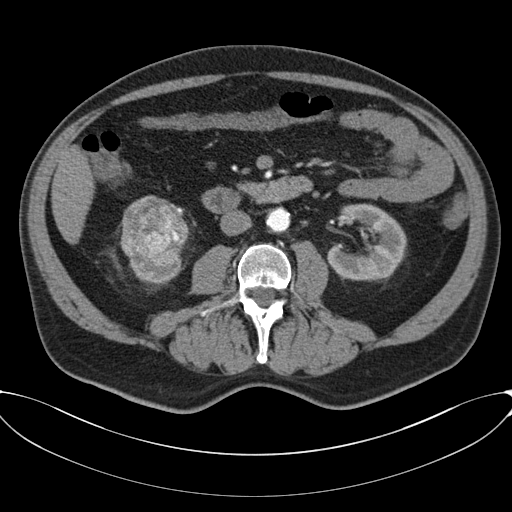
One axial slice (27 of 80, counting up from the lowest) of a contrast-enhanced abdominal CT acquired with 120 kVp, kernel B30f; each pixel is 0.822 mm and the slice is 3.00 mm thick.
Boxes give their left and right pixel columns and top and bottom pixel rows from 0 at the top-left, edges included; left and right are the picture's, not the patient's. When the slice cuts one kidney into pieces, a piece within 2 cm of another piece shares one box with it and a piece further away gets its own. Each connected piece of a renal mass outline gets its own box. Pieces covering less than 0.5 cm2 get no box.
Two kidney boxes and one renal mass box on this slice; by box centre, from the image's left to its right: (1) Right renal mass, the box with left 120, top 195, right 188, bottom 265 (outlined area 3,753 px, about 25.4 cm2). (2) Right kidney in the box with left 130, top 260, right 181, bottom 282 (outlined area 750 px, about 5.1 cm2). (3) Left kidney in the box with left 326, top 203, right 406, bottom 281 (outlined area 4,283 px, about 29.0 cm2).